Abdominal CT with intravenous contrast, arterial phase, axial plane, 120 kVp, kernel B20f. Slice 588/719 from the bottom of the scan; thickness 1.00 mm; pixel size 0.766 mm.
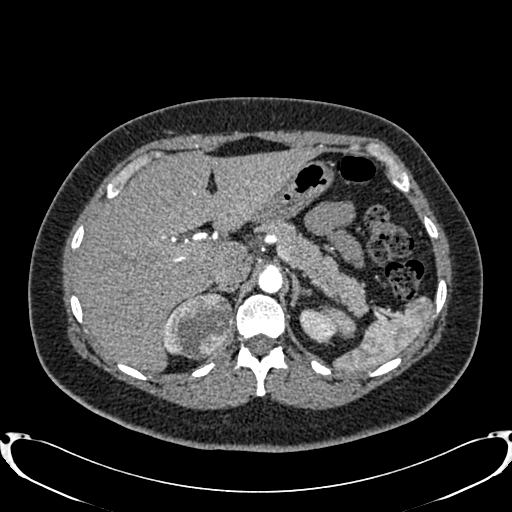
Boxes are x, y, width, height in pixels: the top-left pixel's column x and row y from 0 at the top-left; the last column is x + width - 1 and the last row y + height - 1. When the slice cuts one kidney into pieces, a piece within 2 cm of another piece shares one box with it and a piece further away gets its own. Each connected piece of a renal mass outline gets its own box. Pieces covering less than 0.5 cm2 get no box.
Three boxes on this slice (two kidney boxes and one renal mass box), listed by box centre from the image's left to its right. (1) Right kidney at x 163, y 317, width 12, height 38 (outlined area 145 px, about 0.8 cm2). (2) Box x 166, y 291, width 69, height 70: right renal mass (outlined area 3,566 px, about 20.9 cm2). (3) Left kidney, box x 299, y 308, width 39, height 36 (outlined area 960 px, about 5.6 cm2).